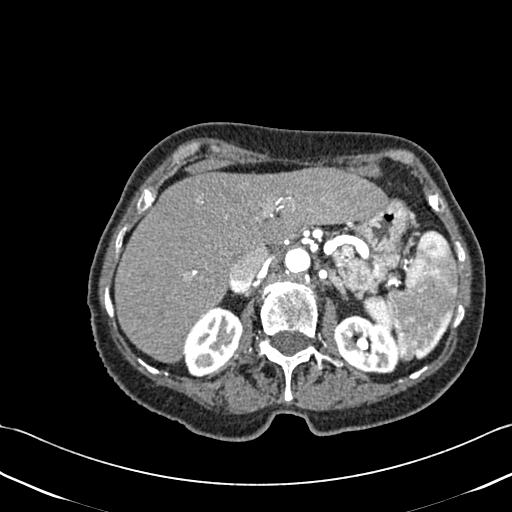
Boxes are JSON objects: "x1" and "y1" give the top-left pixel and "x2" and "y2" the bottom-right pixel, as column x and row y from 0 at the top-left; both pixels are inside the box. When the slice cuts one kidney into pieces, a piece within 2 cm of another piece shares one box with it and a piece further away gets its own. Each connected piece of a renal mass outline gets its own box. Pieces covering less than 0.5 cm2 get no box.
Contrast-enhanced abdominal CT, axial slice 310 of 433 (counted from the lowest slice); 1.00 mm thick, 0.672 mm per pixel. Boxed on this slice (two kidney boxes), listed by box centre from the image's left to its right: (1) Box {"x1": 183, "y1": 306, "x2": 243, "y2": 377}: right kidney (outlined area 2,962 px, about 13.4 cm2). (2) Left kidney, box {"x1": 334, "y1": 315, "x2": 399, "y2": 373} (outlined area 2,820 px, about 12.7 cm2). No renal mass is outlined on this slice.
Scan settings: 120 kVp, B30f reconstruction kernel.